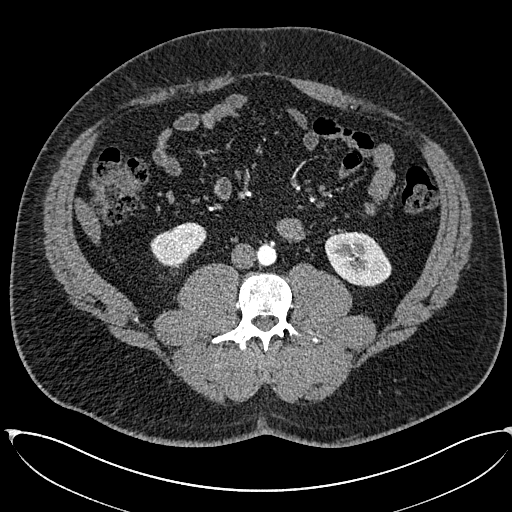
Axial slice 256 of 673 of a contrast-enhanced abdominal CT in the arterial phase (slice 1 is the lowest), 120 kVp, kernel I30f; 1.00 mm slice thickness and 0.855 mm pixels.
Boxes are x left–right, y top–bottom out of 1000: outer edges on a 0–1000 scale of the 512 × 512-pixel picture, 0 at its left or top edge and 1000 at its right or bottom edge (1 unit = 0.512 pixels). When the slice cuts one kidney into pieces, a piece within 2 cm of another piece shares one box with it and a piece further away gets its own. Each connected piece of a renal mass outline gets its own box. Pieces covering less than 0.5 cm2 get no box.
Two boxes on this slice (two kidney boxes), listed by box centre from the image's left to its right. (1) Box x 293–404, y 434–523 out of 1000: right kidney (outlined area 1,746 px, about 12.8 cm2). (2) Box x 635–768, y 451–563 out of 1000: left kidney (outlined area 2,745 px, about 20.1 cm2). This slice carries no renal mass outline.